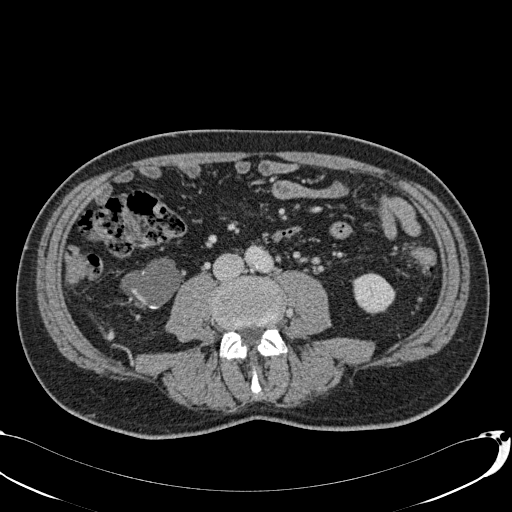
Abdominal CT with intravenous contrast, axial plane, 120 kVp, kernel B31f. Slice 13/113 from the bottom of the scan; thickness 2.00 mm; pixel size 0.742 mm.
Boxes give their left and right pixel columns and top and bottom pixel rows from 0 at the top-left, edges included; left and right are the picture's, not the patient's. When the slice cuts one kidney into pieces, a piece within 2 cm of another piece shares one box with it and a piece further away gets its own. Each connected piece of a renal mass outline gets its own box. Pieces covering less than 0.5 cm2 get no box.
Two boxes on this slice (two kidney boxes), listed by box centre from the image's left to its right. (1) Right kidney in the box with left 120, top 257, right 182, bottom 309 (outlined area 2,159 px, about 11.9 cm2). (2) Left kidney in the box with left 352, top 272, right 395, bottom 314 (outlined area 1,352 px, about 7.4 cm2). No renal mass is outlined on this slice.